Abdominal CT with intravenous contrast, axial plane, 100 kVp, kernel I30f. Slice 137/178 from the bottom of the scan; thickness 5.00 mm; pixel size 0.650 mm.
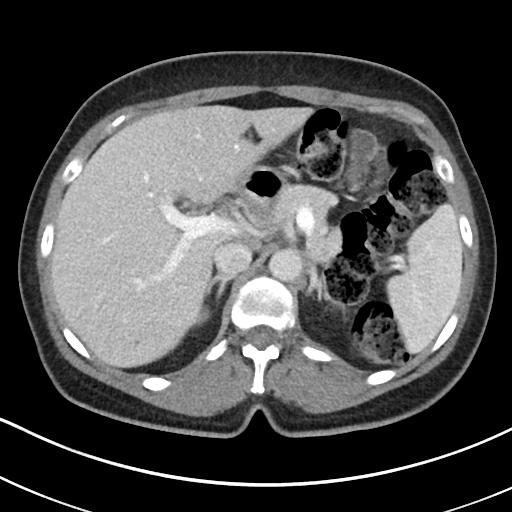
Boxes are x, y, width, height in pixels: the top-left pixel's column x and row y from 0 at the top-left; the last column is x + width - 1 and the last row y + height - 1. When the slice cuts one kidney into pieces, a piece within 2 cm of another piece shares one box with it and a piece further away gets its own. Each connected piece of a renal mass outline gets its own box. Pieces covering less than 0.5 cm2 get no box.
Right kidney at x 191, y 304, width 19, height 20 (outlined area 242 px, about 1.0 cm2). This slice carries no renal mass outline.